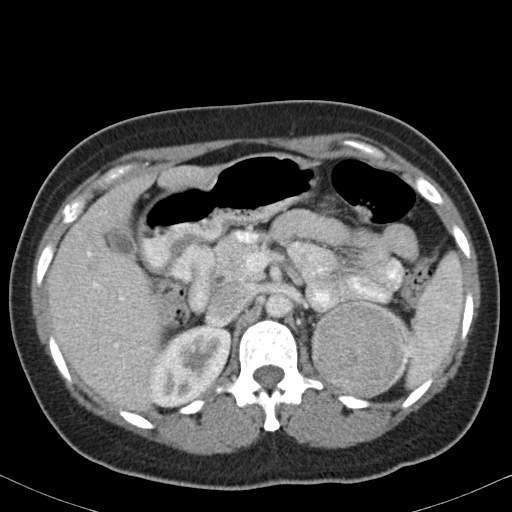
Abdominal CT with intravenous contrast, arterial phase, axial plane, 120 kVp, kernel B31f. Slice 66/82 from the bottom of the scan; thickness 5.00 mm; pixel size 0.625 mm.
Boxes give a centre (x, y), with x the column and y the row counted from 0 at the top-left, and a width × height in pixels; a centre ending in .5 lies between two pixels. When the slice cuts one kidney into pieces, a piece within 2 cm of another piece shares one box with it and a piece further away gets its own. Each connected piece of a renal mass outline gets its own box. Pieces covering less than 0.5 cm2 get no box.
Boxed on this slice (two kidney boxes and one renal mass box), listed by box centre from the image's left to its right: (1) Right kidney, box centre (190, 366), 85 × 83 pixels (outlined area 4,926 px, about 19.2 cm2). (2) Box centre (359.5, 349), 98 × 99 pixels: left renal mass (outlined area 7,511 px, about 29.3 cm2). (3) Left kidney, box centre (403, 332), 15 × 35 pixels (outlined area 161 px, about 0.6 cm2).